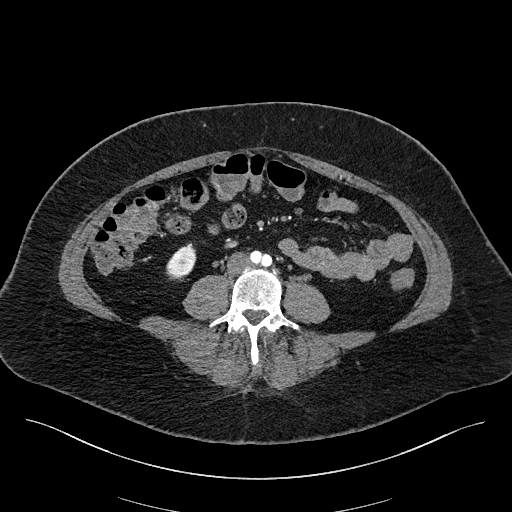
Arterial-phase contrast-enhanced abdominal CT, axial slice 44 of 270 (counted from the lowest slice); tube voltage 100 kVp, convolution kernel I40f; slices 2.00 mm thick, 0.855 mm per pixel.
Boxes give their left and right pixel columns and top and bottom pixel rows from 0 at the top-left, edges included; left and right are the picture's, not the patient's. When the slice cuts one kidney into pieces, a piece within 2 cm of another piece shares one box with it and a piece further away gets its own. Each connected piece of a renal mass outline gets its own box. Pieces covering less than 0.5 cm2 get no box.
Right kidney, the box with left 166, top 243, right 196, bottom 280 (outlined area 787 px, about 5.8 cm2). No renal mass outline on this slice.